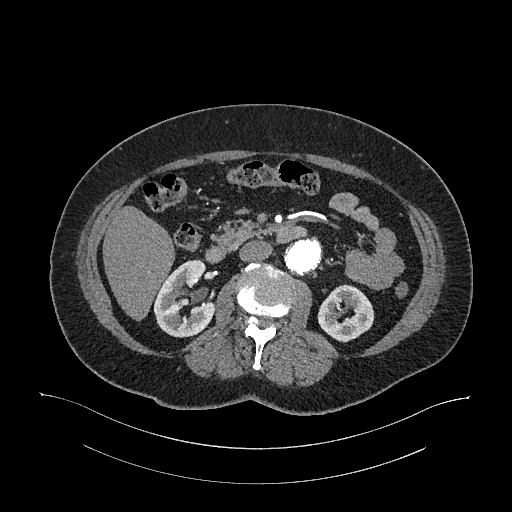
Axial slice 630 of 987 of a contrast-enhanced abdominal CT in the arterial phase (slice 1 is the lowest), 120 kVp, kernel I26f; 1.00 mm slice thickness and 0.977 mm pixels.
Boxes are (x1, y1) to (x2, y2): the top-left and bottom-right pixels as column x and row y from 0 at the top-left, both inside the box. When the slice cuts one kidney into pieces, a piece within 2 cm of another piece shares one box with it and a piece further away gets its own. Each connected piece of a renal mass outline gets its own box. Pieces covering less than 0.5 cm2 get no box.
Two boxes on this slice (two kidney boxes), listed by box centre from the image's left to its right. (1) Right kidney, box (153, 259) to (216, 337) (outlined area 3,405 px, about 32.5 cm2). (2) Box (317, 284) to (374, 342): left kidney (outlined area 2,340 px, about 22.3 cm2). No renal mass is outlined on this slice.